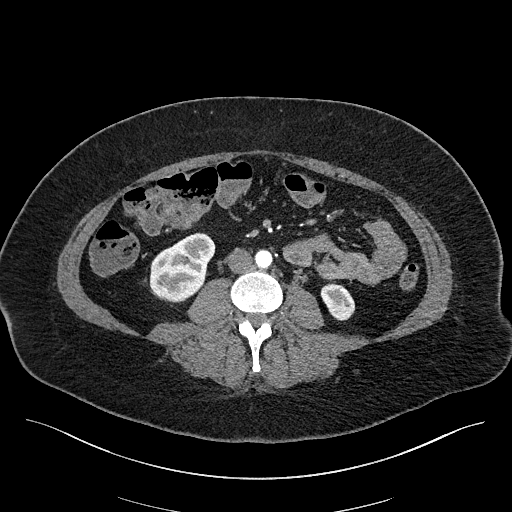
One axial slice (63 of 270, counting up from the lowest) of an arterial-phase abdominal CT acquired with 100 kVp, kernel I40f; each pixel is 0.855 mm and the slice is 2.00 mm thick.
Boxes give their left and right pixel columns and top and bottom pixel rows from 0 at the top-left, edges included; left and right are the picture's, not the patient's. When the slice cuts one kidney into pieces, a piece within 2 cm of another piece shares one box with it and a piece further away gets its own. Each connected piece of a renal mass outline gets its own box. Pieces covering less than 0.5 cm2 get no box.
Two kidney boxes on this slice; by box centre, from the image's left to its right: (1) Right kidney in the box with left 149, top 232, right 215, bottom 302 (outlined area 3,257 px, about 23.8 cm2). (2) Box with left 320, top 283, right 355, bottom 320: left kidney (outlined area 949 px, about 6.9 cm2). No renal mass outline on this slice.